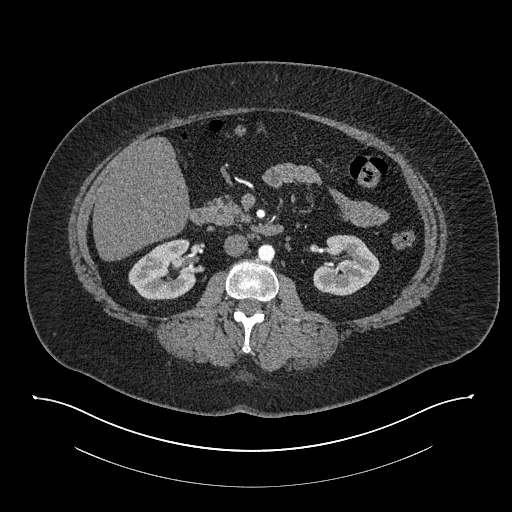
Arterial-phase contrast-enhanced abdominal CT, axial slice 442 of 673 (counted from the lowest slice); tube voltage 140 kVp, convolution kernel I30f; slices 1.00 mm thick, 0.957 mm per pixel.
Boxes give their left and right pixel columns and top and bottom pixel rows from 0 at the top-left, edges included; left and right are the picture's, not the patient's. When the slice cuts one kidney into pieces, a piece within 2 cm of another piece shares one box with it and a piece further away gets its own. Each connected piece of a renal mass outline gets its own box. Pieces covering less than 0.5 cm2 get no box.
Boxed on this slice (two kidney boxes), listed by box centre from the image's left to its right: (1) Right kidney, the box with left 128, top 238, right 195, bottom 300 (outlined area 3,084 px, about 28.2 cm2). (2) Left kidney in the box with left 312, top 234, right 379, bottom 295 (outlined area 2,927 px, about 26.8 cm2). This slice carries no renal mass outline.